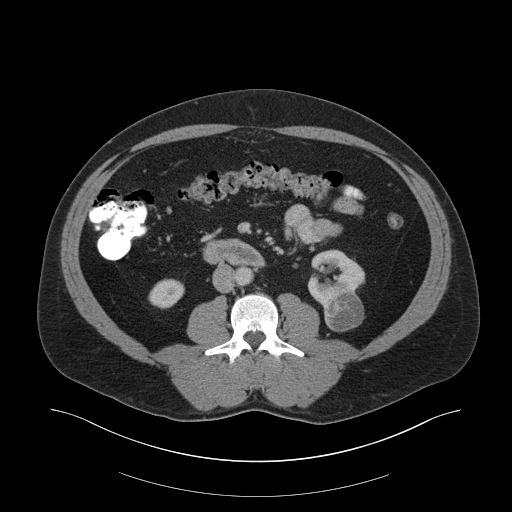
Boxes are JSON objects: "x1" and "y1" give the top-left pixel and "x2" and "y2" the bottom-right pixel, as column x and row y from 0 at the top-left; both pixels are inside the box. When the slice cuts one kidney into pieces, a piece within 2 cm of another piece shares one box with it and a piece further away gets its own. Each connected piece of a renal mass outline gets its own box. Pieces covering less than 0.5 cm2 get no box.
Slice 93/159 of a contrast-enhanced abdominal CT in the arterial phase, counting up from the lowest; pixel size 0.977 mm, slice thickness 3.00 mm. Boxed on this slice (two kidney boxes and one renal mass box), listed by box centre from the image's left to its right: (1) Right kidney, box {"x1": 148, "y1": 279, "x2": 184, "y2": 308} (outlined area 821 px, about 7.8 cm2). (2) Left kidney at {"x1": 307, "y1": 249, "x2": 363, "y2": 307} (outlined area 2,158 px, about 20.6 cm2). (3) Left renal mass at {"x1": 323, "y1": 293, "x2": 363, "y2": 331} (outlined area 1,245 px, about 11.9 cm2).
Tube voltage 140 kVp; convolution kernel B30f.